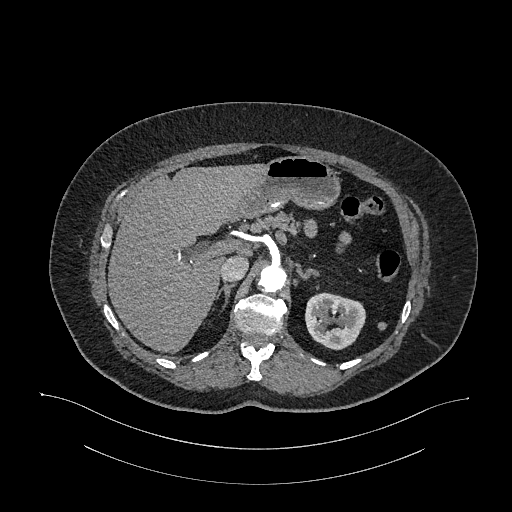
One axial slice (756 of 987, counting up from the lowest) of an arterial-phase abdominal CT acquired with 120 kVp, kernel I26f; each pixel is 0.977 mm and the slice is 1.00 mm thick.
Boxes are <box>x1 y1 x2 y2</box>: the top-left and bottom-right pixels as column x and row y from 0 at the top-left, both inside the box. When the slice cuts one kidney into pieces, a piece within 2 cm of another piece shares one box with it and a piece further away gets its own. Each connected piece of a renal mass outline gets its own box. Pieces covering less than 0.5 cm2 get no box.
At <box>305 292 365 350</box>: left kidney (outlined area 2,678 px, about 25.5 cm2). No renal mass outline on this slice.